Abdominal CT with intravenous contrast, arterial phase, axial plane, 140 kVp, kernel I30f. Slice 381/591 from the bottom of the scan; thickness 1.00 mm; pixel size 0.703 mm.
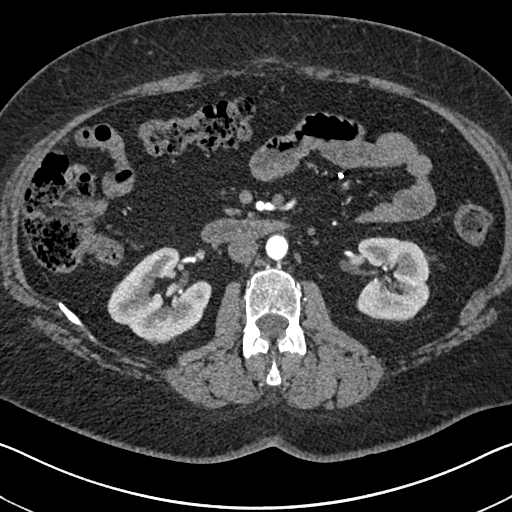
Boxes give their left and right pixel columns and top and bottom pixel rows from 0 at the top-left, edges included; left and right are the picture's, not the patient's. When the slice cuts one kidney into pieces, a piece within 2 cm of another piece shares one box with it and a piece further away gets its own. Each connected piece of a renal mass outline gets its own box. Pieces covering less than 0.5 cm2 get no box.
Two kidney boxes on this slice; by box centre, from the image's left to its right: (1) Box with left 107, top 247, right 212, bottom 340: right kidney (outlined area 6,277 px, about 31.0 cm2). (2) Box with left 356, top 236, right 430, bottom 321: left kidney (outlined area 5,205 px, about 25.7 cm2). No renal mass is outlined on this slice.